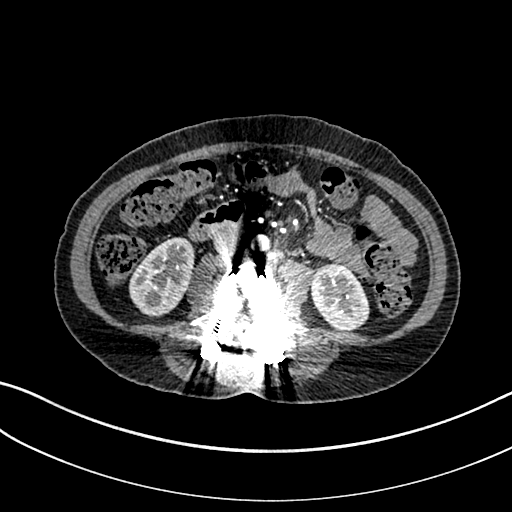
Abdominal CT with intravenous contrast, arterial phase, axial plane, 100 kVp, kernel I30f. Slice 97/325 from the bottom of the scan; thickness 1.00 mm; pixel size 0.703 mm.
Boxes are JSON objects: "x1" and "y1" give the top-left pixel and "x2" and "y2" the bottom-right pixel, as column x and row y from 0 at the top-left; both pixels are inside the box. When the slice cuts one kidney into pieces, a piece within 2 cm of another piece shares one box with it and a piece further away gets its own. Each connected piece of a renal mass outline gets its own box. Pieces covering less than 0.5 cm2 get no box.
Two boxes on this slice (two kidney boxes), listed by box centre from the image's left to its right. (1) Right kidney, box {"x1": 129, "y1": 237, "x2": 194, "y2": 317} (outlined area 3,753 px, about 18.6 cm2). (2) Box {"x1": 310, "y1": 263, "x2": 369, "y2": 330}: left kidney (outlined area 3,018 px, about 14.9 cm2). No renal mass outline on this slice.